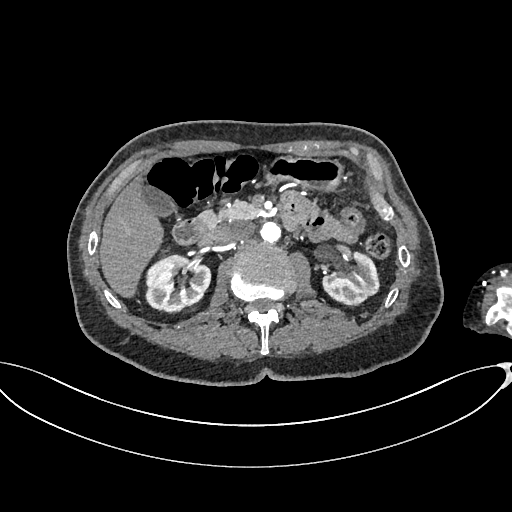
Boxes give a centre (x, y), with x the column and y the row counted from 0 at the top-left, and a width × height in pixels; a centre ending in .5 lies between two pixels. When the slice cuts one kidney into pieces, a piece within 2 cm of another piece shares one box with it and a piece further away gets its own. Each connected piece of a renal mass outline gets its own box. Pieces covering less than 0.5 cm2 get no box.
This is axial slice 409 of 665 (slice 1 is the lowest) of an arterial-phase abdominal CT with contrast; each pixel is 0.828 mm and the slice is 1.00 mm thick. Two kidney boxes on this slice; by box centre, from the image's left to its right: (1) Right kidney in a box with centre (178, 283.5), 67 × 60 pixels (outlined area 3,050 px, about 20.9 cm2). (2) Box centre (351, 278.5), 59 × 56 pixels: left kidney (outlined area 2,252 px, about 15.4 cm2). This slice carries no renal mass outline.
Acquired at 100 kVp and reconstructed with the I26f kernel.